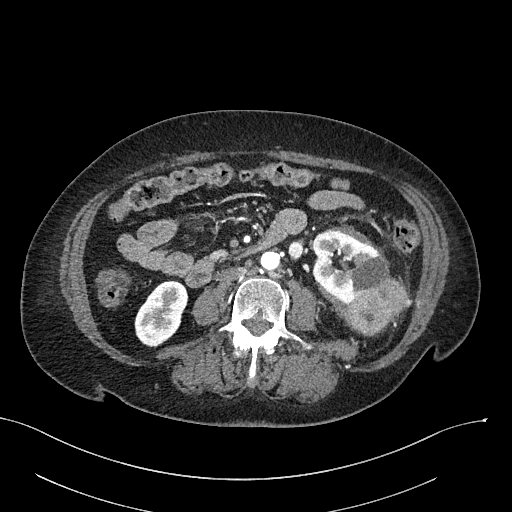
Abdominal CT with intravenous contrast, arterial phase, axial plane, 100 kVp, kernel I40f. Slice 100/316 from the bottom of the scan; thickness 2.00 mm; pixel size 0.840 mm.
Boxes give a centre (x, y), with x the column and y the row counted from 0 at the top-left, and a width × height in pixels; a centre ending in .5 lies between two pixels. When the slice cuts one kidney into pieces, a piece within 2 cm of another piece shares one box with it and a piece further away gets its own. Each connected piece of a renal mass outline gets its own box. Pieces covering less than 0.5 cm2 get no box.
Boxed on this slice (two kidney boxes and one renal mass box), listed by box centre from the image's left to its right: (1) Right kidney, box centre (161, 313), 55 × 67 pixels (outlined area 2,489 px, about 17.6 cm2). (2) Left kidney, box centre (350.5, 267), 78 × 75 pixels (outlined area 3,717 px, about 26.2 cm2). (3) Left renal mass in a box with centre (378, 305), 63 × 59 pixels (outlined area 2,502 px, about 17.6 cm2).